One axial slice (322 of 512, counting up from the lowest) of an arterial-phase abdominal CT acquired with 120 kVp, kernel B30f; each pixel is 0.771 mm and the slice is 1.00 mm thick.
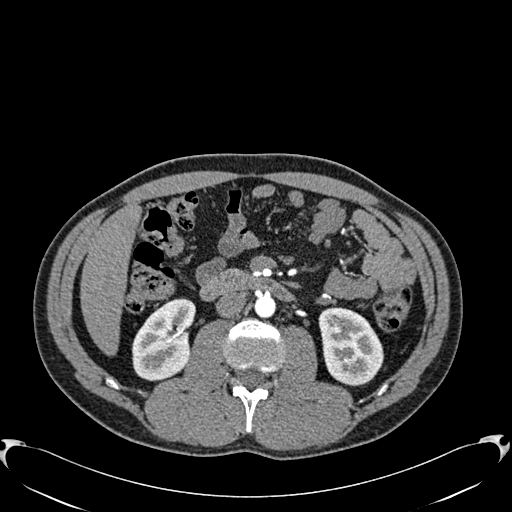
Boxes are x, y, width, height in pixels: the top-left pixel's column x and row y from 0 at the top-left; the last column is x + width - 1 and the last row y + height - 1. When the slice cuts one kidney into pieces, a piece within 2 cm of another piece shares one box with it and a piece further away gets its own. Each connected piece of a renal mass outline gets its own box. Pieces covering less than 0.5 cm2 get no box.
Two kidney boxes on this slice; by box centre, from the image's left to its right: (1) Box x 132, y 298, width 64, height 83: right kidney (outlined area 3,820 px, about 22.7 cm2). (2) Box x 318, y 307, width 66, height 80: left kidney (outlined area 3,903 px, about 23.2 cm2). This slice carries no renal mass outline.